Arterial-phase contrast-enhanced abdominal CT, axial slice 293 of 389 (counted from the lowest slice); tube voltage 120 kVp, convolution kernel STANDARD; slices 1.25 mm thick, 0.869 mm per pixel.
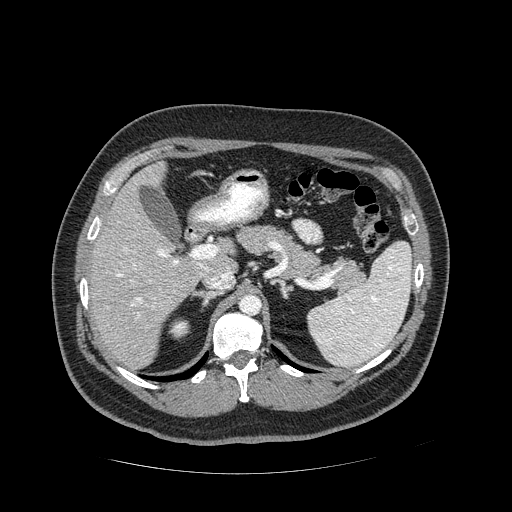
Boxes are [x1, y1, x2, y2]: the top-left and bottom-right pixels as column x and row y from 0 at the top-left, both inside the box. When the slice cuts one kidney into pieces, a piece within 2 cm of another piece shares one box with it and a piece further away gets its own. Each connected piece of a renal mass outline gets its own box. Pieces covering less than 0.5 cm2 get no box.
Right kidney, box [169, 318, 190, 339] (outlined area 345 px, about 2.6 cm2). No renal mass is outlined on this slice.